One axial slice (331 of 548, counting up from the lowest) of an arterial-phase abdominal CT acquired with 120 kVp, kernel I26f; each pixel is 0.852 mm and the slice is 1.00 mm thick.
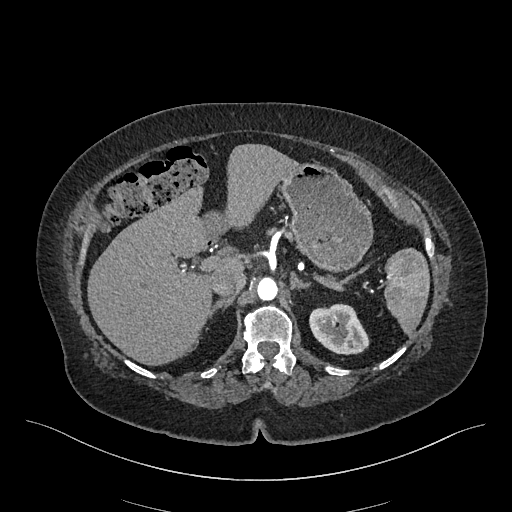
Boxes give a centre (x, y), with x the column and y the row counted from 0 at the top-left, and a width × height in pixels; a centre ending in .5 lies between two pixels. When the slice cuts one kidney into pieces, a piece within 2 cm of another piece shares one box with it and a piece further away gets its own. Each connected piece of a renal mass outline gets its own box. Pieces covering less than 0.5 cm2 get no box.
Box centre (339, 328.5), 61 × 52 pixels: left kidney (outlined area 2,307 px, about 16.7 cm2). This slice carries no renal mass outline.